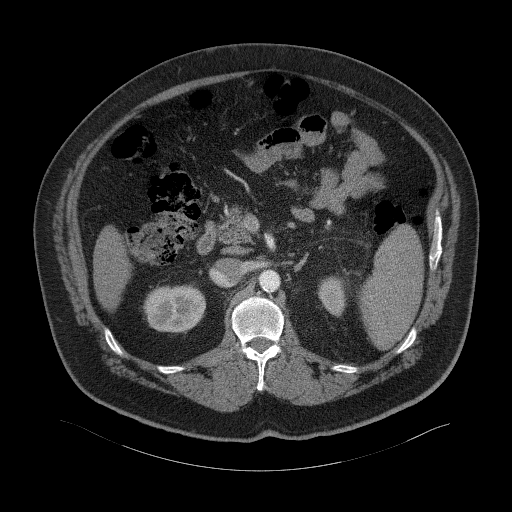
Contrast-enhanced abdominal CT, axial slice 39 of 94 (counted from the lowest slice); tube voltage 120 kVp, convolution kernel B41f; slices 3.00 mm thick, 0.977 mm per pixel.
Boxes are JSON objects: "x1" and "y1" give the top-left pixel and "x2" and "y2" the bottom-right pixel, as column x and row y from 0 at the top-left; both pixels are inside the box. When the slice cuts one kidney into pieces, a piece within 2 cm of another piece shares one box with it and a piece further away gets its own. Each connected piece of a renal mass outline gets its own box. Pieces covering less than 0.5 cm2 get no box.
Two boxes on this slice (two kidney boxes), listed by box centre from the image's left to its right. (1) Box {"x1": 143, "y1": 285, "x2": 205, "y2": 332}: right kidney (outlined area 2,454 px, about 23.4 cm2). (2) Box {"x1": 317, "y1": 276, "x2": 346, "y2": 316}: left kidney (outlined area 918 px, about 8.8 cm2). No renal mass is outlined on this slice.